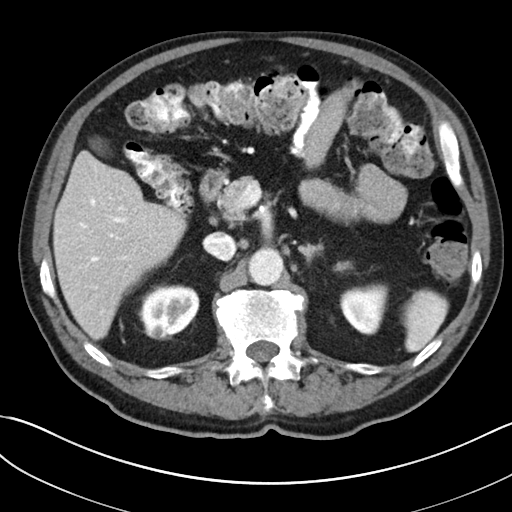
Axial slice 141 of 269 of a contrast-enhanced abdominal CT (slice 1 is the lowest), 100 kVp, kernel I30f; 5.00 mm slice thickness and 0.732 mm pixels.
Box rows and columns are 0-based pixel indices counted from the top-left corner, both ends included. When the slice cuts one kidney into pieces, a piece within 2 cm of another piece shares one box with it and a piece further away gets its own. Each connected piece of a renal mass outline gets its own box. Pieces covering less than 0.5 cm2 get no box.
Two boxes on this slice (two kidney boxes), listed by box centre from the image's left to its right. (1) Right kidney, box rows 285–339, columns 141–199 (outlined area 2,467 px, about 13.2 cm2). (2) Box rows 283–335, columns 339–388: left kidney (outlined area 1,931 px, about 10.4 cm2). This slice carries no renal mass outline.